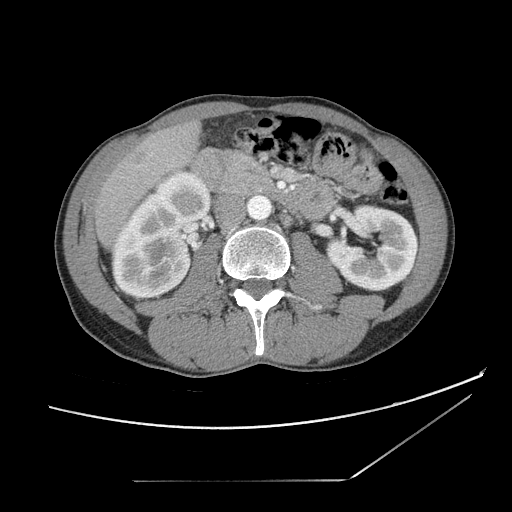
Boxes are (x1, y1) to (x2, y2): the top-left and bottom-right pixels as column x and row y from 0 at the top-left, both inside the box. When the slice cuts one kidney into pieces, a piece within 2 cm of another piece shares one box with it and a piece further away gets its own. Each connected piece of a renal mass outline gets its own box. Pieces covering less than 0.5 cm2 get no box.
Slice 56/121 of a contrast-enhanced abdominal CT, counting up from the lowest; pixel size 0.742 mm, slice thickness 2.50 mm. Boxed on this slice (two kidney boxes), listed by box centre from the image's left to its right: (1) Right kidney, box (111, 170) to (211, 298) (outlined area 8,738 px, about 48.1 cm2). (2) Left kidney, box (325, 203) to (416, 291) (outlined area 5,876 px, about 32.4 cm2). This slice carries no renal mass outline.
Acquired at 120 kVp and reconstructed with the STANDARD kernel.